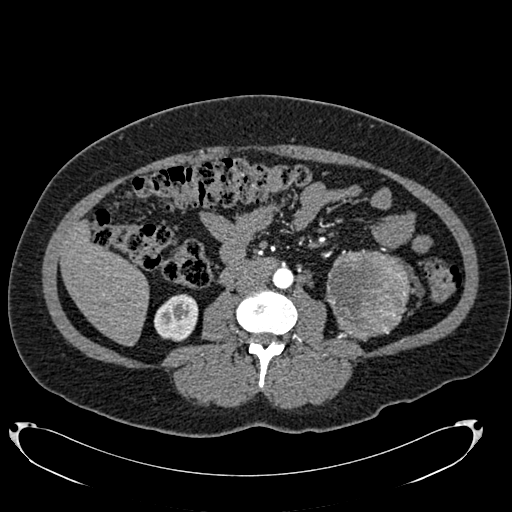
Abdominal CT with intravenous contrast, arterial phase, axial plane, 120 kVp, kernel B20f. Slice 346/634 from the bottom of the scan; thickness 1.00 mm; pixel size 0.838 mm.
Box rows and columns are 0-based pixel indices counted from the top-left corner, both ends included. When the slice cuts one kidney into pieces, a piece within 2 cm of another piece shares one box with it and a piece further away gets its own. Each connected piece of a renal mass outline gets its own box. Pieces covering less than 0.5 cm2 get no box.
Two boxes on this slice (one kidney box and one renal mass box), listed by box centre from the image's left to its right. (1) Right kidney at rows 294–341, columns 154–198 (outlined area 1,637 px, about 11.5 cm2). (2) Box rows 249–341, columns 325–413: left renal mass (outlined area 6,048 px, about 42.5 cm2); here it is more than 1 cm from any kidney outline, though on another slice the same outlined renal mass lies within 1 cm of the kidney.